Axial slice 377 of 1059 of a contrast-enhanced abdominal CT in the arterial phase (slice 1 is the lowest), 100 kVp, kernel I30f; 1.00 mm slice thickness and 0.811 mm pixels.
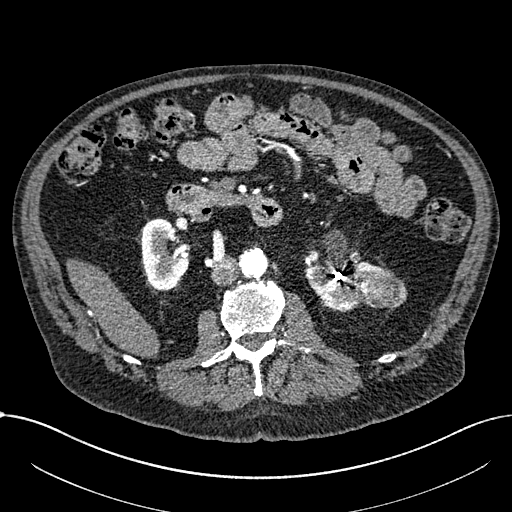
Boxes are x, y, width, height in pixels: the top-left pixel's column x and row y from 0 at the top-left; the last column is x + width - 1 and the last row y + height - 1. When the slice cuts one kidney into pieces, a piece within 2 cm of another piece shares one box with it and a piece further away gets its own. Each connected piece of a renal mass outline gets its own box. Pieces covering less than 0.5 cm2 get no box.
Two kidney boxes and one renal mass box on this slice; by box centre, from the image's left to its right: (1) Right part of the midline-crossing kidney at x 141, y 218, width 52, height 74 (outlined area 2,724 px, about 17.9 cm2). (2) Left part of the midline-crossing kidney at x 304, y 260, width 90, height 51 (outlined area 2,408 px, about 15.8 cm2). (3) Renal mass at x 362, y 272, width 46, height 37 (outlined area 1,341 px, about 8.8 cm2).